Axial slice 421 of 673 of a contrast-enhanced abdominal CT in the arterial phase (slice 1 is the lowest), 120 kVp, kernel I30f; 1.00 mm slice thickness and 0.855 mm pixels.
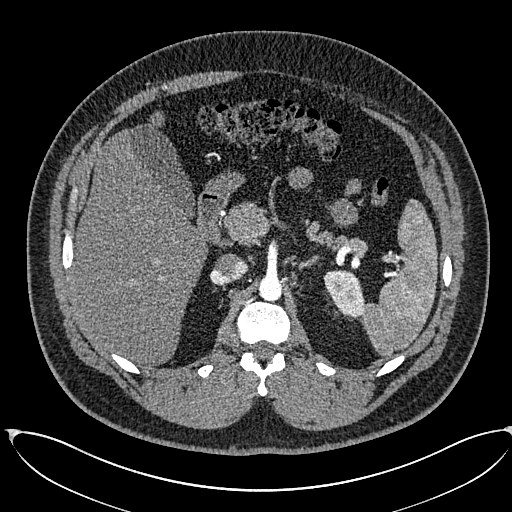
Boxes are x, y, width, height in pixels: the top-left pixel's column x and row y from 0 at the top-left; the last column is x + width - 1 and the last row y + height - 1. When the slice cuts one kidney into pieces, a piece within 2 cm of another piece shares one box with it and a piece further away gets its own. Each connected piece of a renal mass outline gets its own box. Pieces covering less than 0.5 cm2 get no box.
Box x 323, y 269, width 42, height 50: left kidney (outlined area 1,439 px, about 10.5 cm2). This slice carries no renal mass outline.